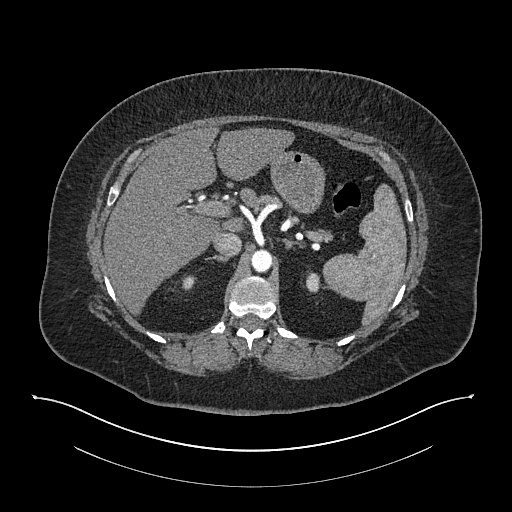
Abdominal CT with intravenous contrast, arterial phase, axial plane, 140 kVp, kernel I30f. Slice 574/673 from the bottom of the scan; thickness 1.00 mm; pixel size 0.957 mm.
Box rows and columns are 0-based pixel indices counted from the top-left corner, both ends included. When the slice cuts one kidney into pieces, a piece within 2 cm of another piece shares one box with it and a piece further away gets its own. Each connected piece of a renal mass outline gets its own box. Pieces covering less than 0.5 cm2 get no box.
Two boxes on this slice (two kidney boxes), listed by box centre from the image's left to its right. (1) Right kidney, box rows 275–290, columns 182–196 (outlined area 167 px, about 1.5 cm2). (2) Box rows 272–292, columns 306–321: left kidney (outlined area 258 px, about 2.4 cm2). No renal mass is outlined on this slice.